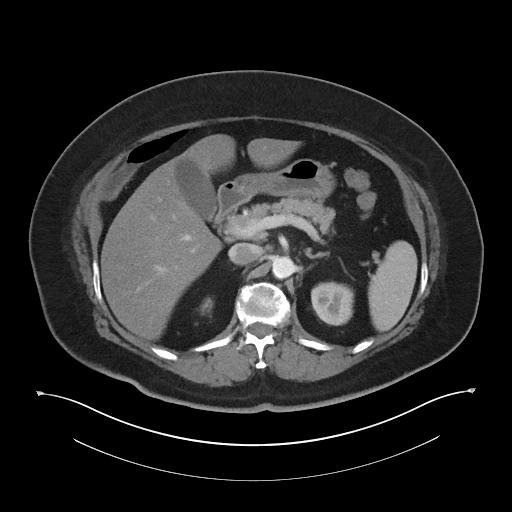
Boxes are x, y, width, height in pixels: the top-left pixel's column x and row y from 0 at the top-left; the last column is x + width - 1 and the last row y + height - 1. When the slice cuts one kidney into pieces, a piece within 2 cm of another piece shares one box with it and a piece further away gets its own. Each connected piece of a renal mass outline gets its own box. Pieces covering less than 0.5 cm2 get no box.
Contrast-enhanced abdominal CT, axial slice 31 of 60 (counted from the lowest slice); 5.00 mm thick, 0.971 mm per pixel. Boxed on this slice (two kidney boxes), listed by box centre from the image's left to its right: (1) Right kidney at x 200, y 298, width 13, height 17 (outlined area 154 px, about 1.5 cm2). (2) Left kidney, box x 311, y 281, width 43, height 45 (outlined area 1,596 px, about 15.0 cm2). No renal mass is outlined on this slice.
Tube voltage 120 kVp; convolution kernel I30f.